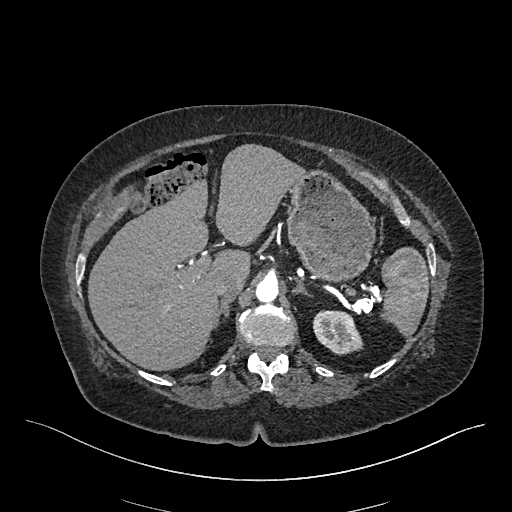
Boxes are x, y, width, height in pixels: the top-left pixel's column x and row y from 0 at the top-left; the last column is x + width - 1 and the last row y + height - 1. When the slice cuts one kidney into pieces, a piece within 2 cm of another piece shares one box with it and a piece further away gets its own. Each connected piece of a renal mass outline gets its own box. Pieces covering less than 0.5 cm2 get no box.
Arterial-phase contrast-enhanced abdominal CT, axial slice 347 of 548 (counted from the lowest slice); 1.00 mm thick, 0.852 mm per pixel. Left kidney, box x 313, y 310, width 51, height 46 (outlined area 1,698 px, about 12.3 cm2). This slice carries no renal mass outline.
Scan settings: 120 kVp, I26f reconstruction kernel.